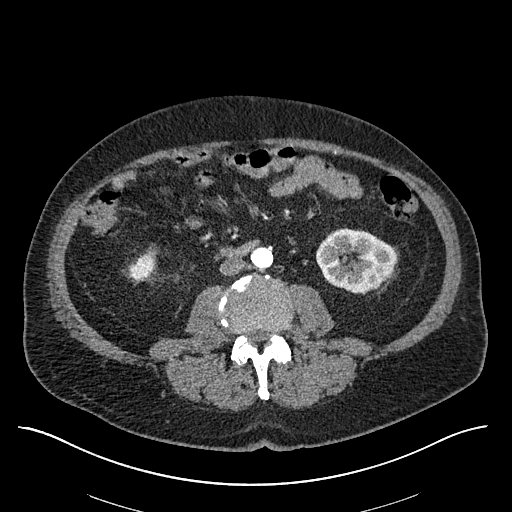
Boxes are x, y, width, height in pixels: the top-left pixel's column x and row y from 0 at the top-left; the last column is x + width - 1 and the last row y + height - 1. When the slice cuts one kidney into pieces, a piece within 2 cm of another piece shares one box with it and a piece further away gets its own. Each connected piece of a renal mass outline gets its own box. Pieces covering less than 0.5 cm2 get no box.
Slice 250/670 of a contrast-enhanced abdominal CT in the arterial phase, counting up from the lowest; pixel size 0.861 mm, slice thickness 1.00 mm. Two boxes on this slice (two kidney boxes), listed by box centre from the image's left to its right. (1) Right kidney at x 128, y 252, width 28, height 29 (outlined area 601 px, about 4.5 cm2). (2) Left kidney, box x 315, y 228, width 83, height 66 (outlined area 3,971 px, about 29.5 cm2). No renal mass is outlined on this slice.
Tube voltage 120 kVp; convolution kernel I30f.